Abdominal CT with intravenous contrast, arterial phase, axial plane, 120 kVp, kernel B30f. Slice 343/512 from the bottom of the scan; thickness 1.00 mm; pixel size 0.771 mm.
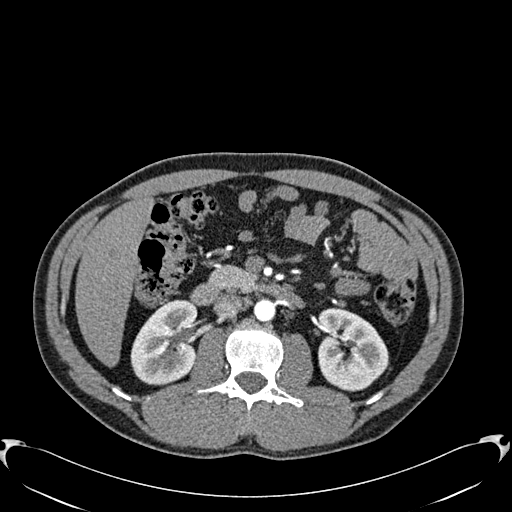
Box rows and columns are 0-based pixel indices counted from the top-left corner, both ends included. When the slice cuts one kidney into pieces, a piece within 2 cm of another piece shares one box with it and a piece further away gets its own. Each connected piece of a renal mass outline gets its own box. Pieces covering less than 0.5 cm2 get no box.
Boxed on this slice (two kidney boxes), listed by box centre from the image's left to its right: (1) Box rows 299–385, columns 130–197: right kidney (outlined area 4,421 px, about 26.3 cm2). (2) Left kidney, box rows 308–391, columns 318–388 (outlined area 4,502 px, about 26.8 cm2). No renal mass is outlined on this slice.